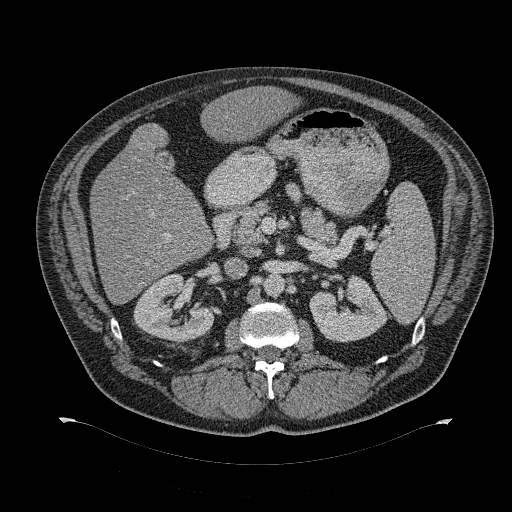
One axial slice (195 of 274, counting up from the lowest) of a contrast-enhanced abdominal CT acquired with 120 kVp, kernel B31f; each pixel is 0.977 mm and the slice is 2.00 mm thick.
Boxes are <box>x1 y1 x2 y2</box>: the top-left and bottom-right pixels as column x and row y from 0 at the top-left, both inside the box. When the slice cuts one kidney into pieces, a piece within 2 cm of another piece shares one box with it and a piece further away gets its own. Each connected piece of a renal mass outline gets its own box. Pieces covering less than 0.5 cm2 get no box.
Two kidney boxes on this slice; by box centre, from the image's left to its right: (1) At <box>133 273 213 342</box>: right kidney (outlined area 3,729 px, about 35.6 cm2). (2) At <box>309 274 387 342</box>: left kidney (outlined area 3,524 px, about 33.6 cm2).